Contrast-enhanced abdominal CT, axial slice 531 of 834 (counted from the lowest slice); tube voltage 140 kVp, convolution kernel I30f; slices 1.00 mm thick, 0.977 mm per pixel.
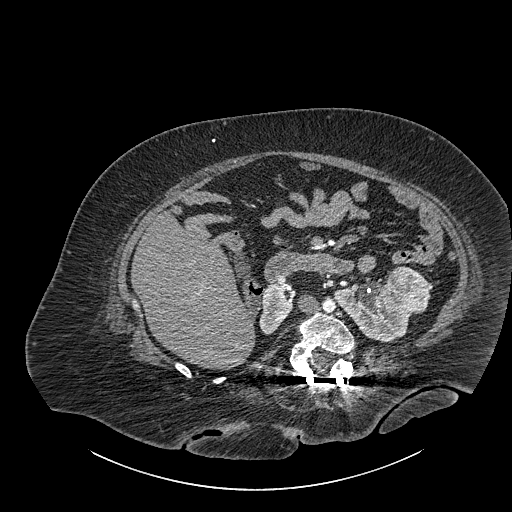
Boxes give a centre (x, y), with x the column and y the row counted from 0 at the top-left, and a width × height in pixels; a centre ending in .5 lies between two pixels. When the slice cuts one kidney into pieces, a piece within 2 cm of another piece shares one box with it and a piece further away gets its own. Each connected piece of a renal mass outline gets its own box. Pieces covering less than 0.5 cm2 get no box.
Three boxes on this slice (two kidney boxes and one renal mass box), listed by box centre from the image's left to its right. (1) Right part of the midline-crossing kidney, box centre (275.5, 310), 34 × 49 pixels (outlined area 1,100 px, about 10.5 cm2). (2) Left part of the midline-crossing kidney in a box with centre (372.5, 312.5), 78 × 60 pixels (outlined area 2,755 px, about 26.3 cm2). (3) Renal mass, box centre (408, 289.5), 43 × 48 pixels (outlined area 1,577 px, about 15.0 cm2).